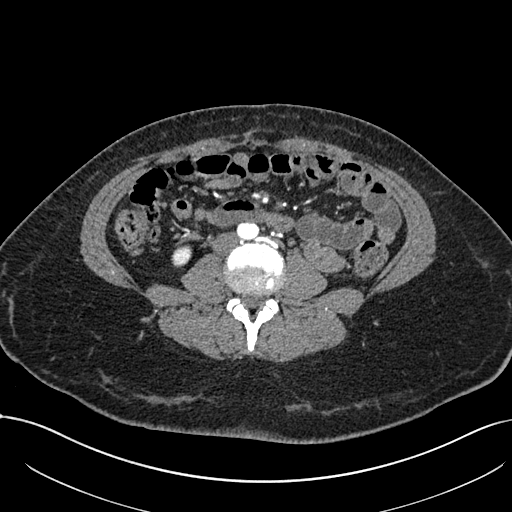
Arterial-phase contrast-enhanced abdominal CT, axial slice 304 of 738 (counted from the lowest slice); tube voltage 120 kVp, convolution kernel I30f; slices 1.00 mm thick, 0.789 mm per pixel.
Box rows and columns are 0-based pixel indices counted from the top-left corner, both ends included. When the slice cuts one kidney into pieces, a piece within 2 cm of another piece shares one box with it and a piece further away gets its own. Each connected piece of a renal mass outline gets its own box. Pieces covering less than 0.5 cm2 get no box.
Right kidney, box rows 245–267, columns 171–191 (outlined area 360 px, about 2.2 cm2). No renal mass outline on this slice.